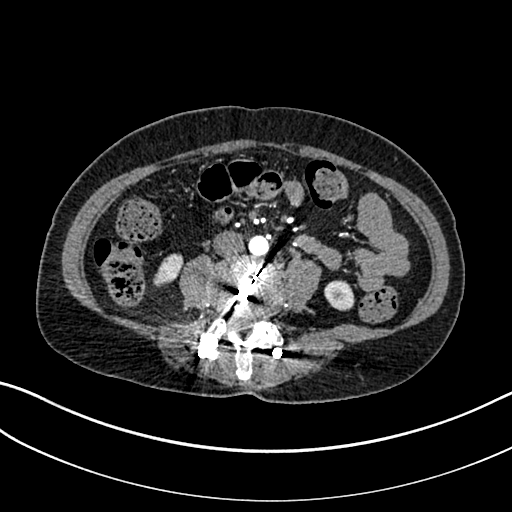
Abdominal CT with intravenous contrast, arterial phase, axial plane, 100 kVp, kernel I30f. Slice 56/325 from the bottom of the scan; thickness 1.00 mm; pixel size 0.703 mm.
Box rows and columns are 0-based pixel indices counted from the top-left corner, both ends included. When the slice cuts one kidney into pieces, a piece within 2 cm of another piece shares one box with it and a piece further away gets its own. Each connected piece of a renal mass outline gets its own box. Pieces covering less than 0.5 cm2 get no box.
Two boxes on this slice (two kidney boxes), listed by box centre from the image's left to its right. (1) Right kidney, box rows 253–286, columns 153–183 (outlined area 660 px, about 3.3 cm2). (2) Left kidney, box rows 280–310, columns 324–354 (outlined area 740 px, about 3.7 cm2). No renal mass outline on this slice.